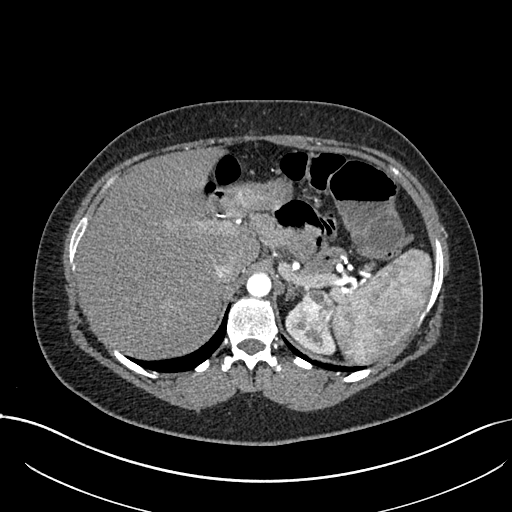
Arterial-phase contrast-enhanced abdominal CT, axial slice 559 of 738 (counted from the lowest slice); tube voltage 120 kVp, convolution kernel I30f; slices 1.00 mm thick, 0.789 mm per pixel.
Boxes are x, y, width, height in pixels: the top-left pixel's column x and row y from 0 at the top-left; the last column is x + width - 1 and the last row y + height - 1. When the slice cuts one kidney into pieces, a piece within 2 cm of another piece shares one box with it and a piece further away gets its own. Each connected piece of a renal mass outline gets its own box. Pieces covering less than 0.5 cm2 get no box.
One kidney box and one renal mass box on this slice; by box centre, from the image's left to its right: (1) Left kidney at x 285, y 303, width 51, height 52 (outlined area 1,157 px, about 7.2 cm2). (2) Left renal mass at x 297, y 289, width 37, height 44 (outlined area 1,212 px, about 7.5 cm2).